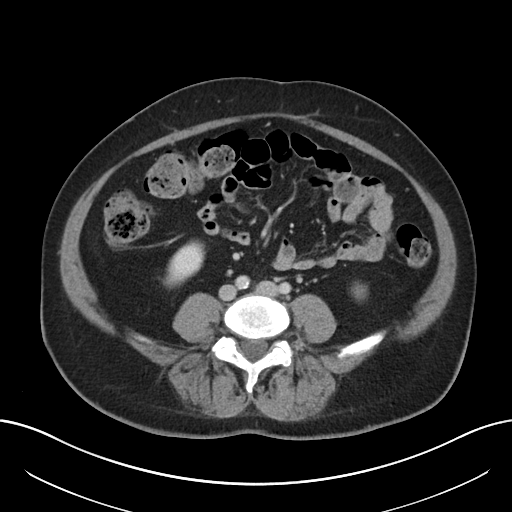
Contrast-enhanced abdominal CT, axial slice 89 of 197 (counted from the lowest slice); tube voltage 120 kVp, convolution kernel I30f; slices 5.00 mm thick, 0.791 mm per pixel.
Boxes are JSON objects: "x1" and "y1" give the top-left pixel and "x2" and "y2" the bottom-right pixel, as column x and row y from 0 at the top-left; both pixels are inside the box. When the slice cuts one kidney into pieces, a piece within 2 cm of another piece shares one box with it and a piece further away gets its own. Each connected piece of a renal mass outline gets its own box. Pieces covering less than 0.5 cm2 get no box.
Two boxes on this slice (two kidney boxes), listed by box centre from the image's left to its right. (1) Right kidney at {"x1": 163, "y1": 240, "x2": 205, "y2": 288} (outlined area 1,283 px, about 8.0 cm2). (2) Left kidney, box {"x1": 351, "y1": 282, "x2": 367, "y2": 300} (outlined area 222 px, about 1.4 cm2). No renal mass outline on this slice.